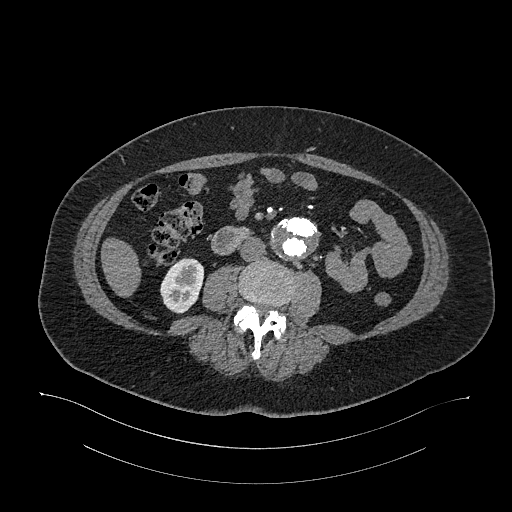
Abdominal CT with intravenous contrast, arterial phase, axial plane, 120 kVp, kernel I26f. Slice 555/987 from the bottom of the scan; thickness 1.00 mm; pixel size 0.977 mm.
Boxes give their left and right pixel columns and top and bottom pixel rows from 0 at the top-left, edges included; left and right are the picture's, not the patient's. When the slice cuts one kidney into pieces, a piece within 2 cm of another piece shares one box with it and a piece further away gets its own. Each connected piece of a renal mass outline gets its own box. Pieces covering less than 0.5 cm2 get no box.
Box with left 160, top 258, right 204, bottom 313: right kidney (outlined area 1,839 px, about 17.5 cm2). No renal mass outline on this slice.